One axial slice (77 of 304, counting up from the lowest) of an arterial-phase abdominal CT acquired with 100 kVp, kernel I30f; each pixel is 0.809 mm and the slice is 2.00 mm thick.
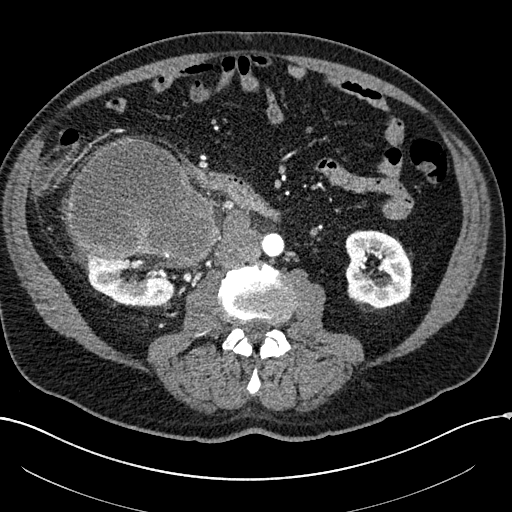
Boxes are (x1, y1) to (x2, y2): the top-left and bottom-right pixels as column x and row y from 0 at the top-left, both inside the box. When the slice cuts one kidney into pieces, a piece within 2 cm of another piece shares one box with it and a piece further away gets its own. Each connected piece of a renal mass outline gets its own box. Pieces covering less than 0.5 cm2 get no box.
Two kidney boxes and one renal mass box on this slice; by box centre, from the image's left to its right: (1) Box (86, 254) to (180, 306): right kidney (outlined area 3,596 px, about 23.5 cm2). (2) Right renal mass from (66, 138) to (221, 268) (outlined area 14,565 px, about 95.2 cm2). (3) Box (345, 230) to (412, 307): left kidney (outlined area 4,137 px, about 27.0 cm2).